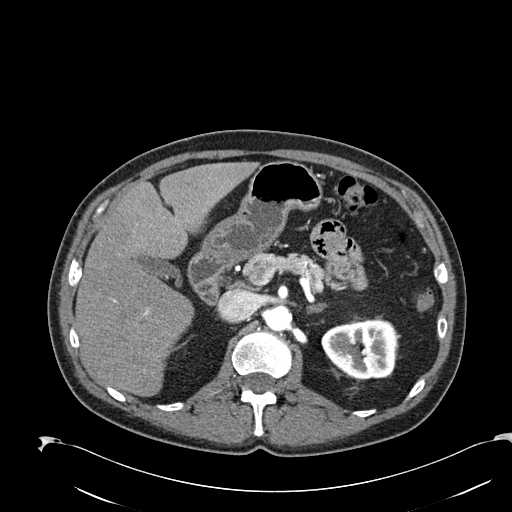
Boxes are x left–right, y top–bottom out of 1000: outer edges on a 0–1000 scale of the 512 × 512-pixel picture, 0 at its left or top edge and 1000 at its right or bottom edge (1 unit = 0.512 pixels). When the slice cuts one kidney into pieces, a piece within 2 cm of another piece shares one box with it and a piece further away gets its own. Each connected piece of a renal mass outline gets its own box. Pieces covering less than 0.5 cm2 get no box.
This is axial slice 147 of 274 (slice 1 is the lowest) of an arterial-phase abdominal CT with contrast; each pixel is 0.809 mm and the slice is 2.00 mm thick. Left kidney, box x 627–779, y 623–742 out of 1000 (outlined area 3,724 px, about 24.3 cm2). No renal mass is outlined on this slice.
Acquired at 120 kVp and reconstructed with the B30f kernel.